One axial slice (61 of 96, counting up from the lowest) of an arterial-phase abdominal CT acquired with 130 kVp, kernel B30s; each pixel is 0.781 mm and the slice is 3.00 mm thick.
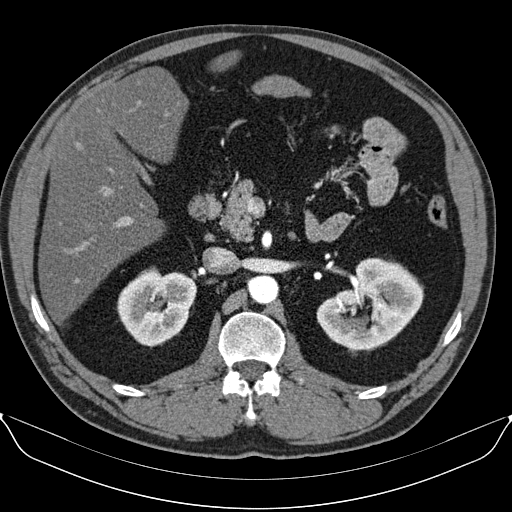
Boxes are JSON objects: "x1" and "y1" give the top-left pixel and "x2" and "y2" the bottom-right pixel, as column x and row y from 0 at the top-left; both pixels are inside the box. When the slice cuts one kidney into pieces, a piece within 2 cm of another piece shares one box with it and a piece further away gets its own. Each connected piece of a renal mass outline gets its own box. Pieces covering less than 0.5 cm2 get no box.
Two boxes on this slice (two kidney boxes), listed by box centre from the image's left to its right. (1) Right kidney at {"x1": 117, "y1": 266, "x2": 196, "y2": 347} (outlined area 4,582 px, about 28.0 cm2). (2) Box {"x1": 316, "y1": 258, "x2": 424, "y2": 350}: left kidney (outlined area 6,589 px, about 40.2 cm2). No renal mass outline on this slice.